Arterial-phase contrast-enhanced abdominal CT, axial slice 363 of 1059 (counted from the lowest slice); tube voltage 100 kVp, convolution kernel I30f; slices 1.00 mm thick, 0.811 mm per pixel.
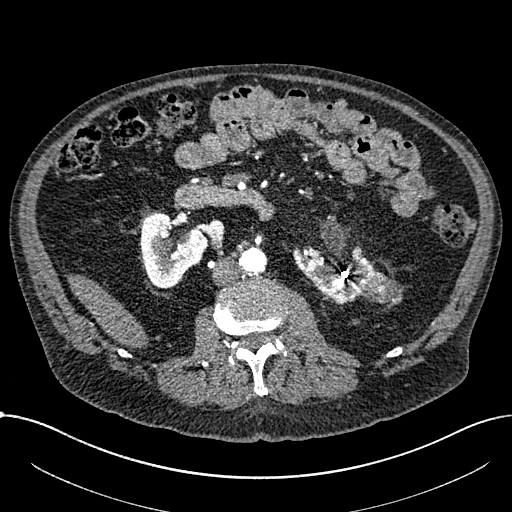
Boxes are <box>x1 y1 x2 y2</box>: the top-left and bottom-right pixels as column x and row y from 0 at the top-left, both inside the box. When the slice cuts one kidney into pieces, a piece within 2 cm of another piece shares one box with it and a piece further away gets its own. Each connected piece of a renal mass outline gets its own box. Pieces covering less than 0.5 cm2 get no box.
Three boxes on this slice (two kidney boxes and one renal mass box), listed by box centre from the image's left to its right. (1) At <box>140 213 208 288</box>: right part of the midline-crossing kidney (outlined area 3,523 px, about 23.1 cm2). (2) Left part of the midline-crossing kidney: <box>293 245 383 304</box> (outlined area 2,949 px, about 19.4 cm2). (3) Renal mass: <box>359 274 401 303</box> (outlined area 964 px, about 6.3 cm2).